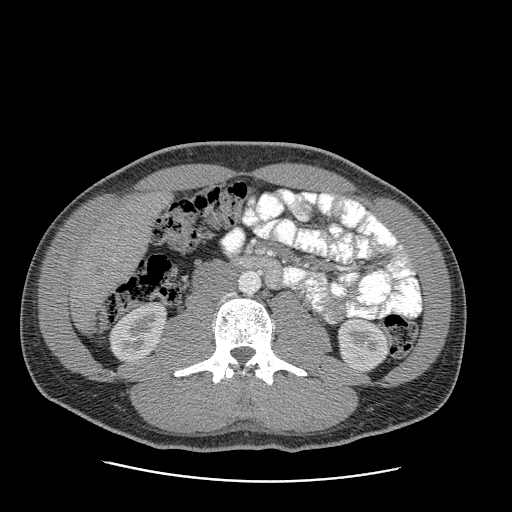
Abdominal CT with intravenous contrast, arterial phase, axial plane, 120 kVp, kernel STANDARD. Slice 133/199 from the bottom of the scan; thickness 2.50 mm; pixel size 0.789 mm.
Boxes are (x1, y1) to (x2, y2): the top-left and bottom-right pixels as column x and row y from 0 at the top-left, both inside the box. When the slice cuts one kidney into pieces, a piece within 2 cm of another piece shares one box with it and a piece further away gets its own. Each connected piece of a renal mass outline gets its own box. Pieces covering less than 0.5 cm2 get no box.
Two kidney boxes on this slice; by box centre, from the image's left to its right: (1) Right kidney from (109, 302) to (165, 361) (outlined area 2,425 px, about 15.1 cm2). (2) Left kidney, box (337, 318) to (388, 372) (outlined area 2,197 px, about 13.7 cm2). No renal mass outline on this slice.